Abdominal CT with intravenous contrast, arterial phase, axial plane, 120 kVp, kernel I30f. Slice 454/612 from the bottom of the scan; thickness 1.00 mm; pixel size 0.703 mm.
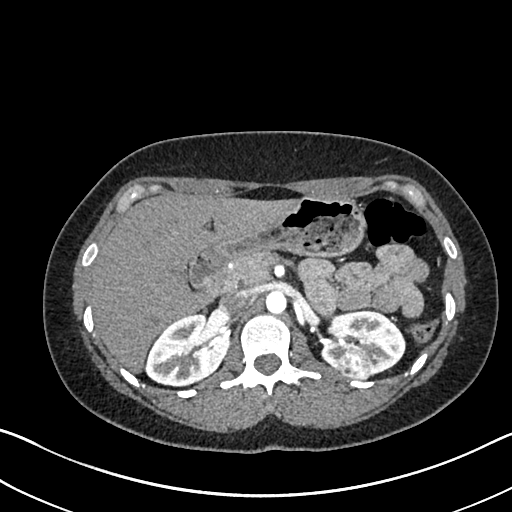
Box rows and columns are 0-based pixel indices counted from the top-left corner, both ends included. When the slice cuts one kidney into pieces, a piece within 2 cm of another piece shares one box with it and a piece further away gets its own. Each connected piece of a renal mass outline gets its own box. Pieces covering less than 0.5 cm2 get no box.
Two kidney boxes and one renal mass box on this slice; by box centre, from the image's left to its right: (1) Right kidney, box rows 314–386, columns 145–229 (outlined area 4,350 px, about 21.5 cm2). (2) Left renal mass at rows 349–378, columns 338–371 (outlined area 826 px, about 4.1 cm2). (3) Box rows 309–376, columns 320–405: left kidney (outlined area 3,587 px, about 17.7 cm2).